One axial slice (94 of 325, counting up from the lowest) of an arterial-phase abdominal CT acquired with 100 kVp, kernel I30f; each pixel is 0.703 mm and the slice is 1.00 mm thick.
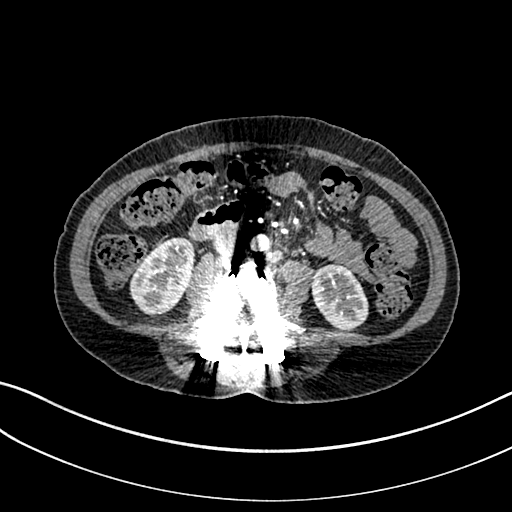
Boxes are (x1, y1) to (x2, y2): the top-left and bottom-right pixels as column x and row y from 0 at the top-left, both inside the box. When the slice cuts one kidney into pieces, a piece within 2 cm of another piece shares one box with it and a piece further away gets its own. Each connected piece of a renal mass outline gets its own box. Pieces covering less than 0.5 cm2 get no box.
Two boxes on this slice (two kidney boxes), listed by box centre from the image's left to its right. (1) Box (129, 237) to (194, 318): right kidney (outlined area 3,674 px, about 18.2 cm2). (2) Box (311, 264) to (368, 330): left kidney (outlined area 2,859 px, about 14.1 cm2). This slice carries no renal mass outline.